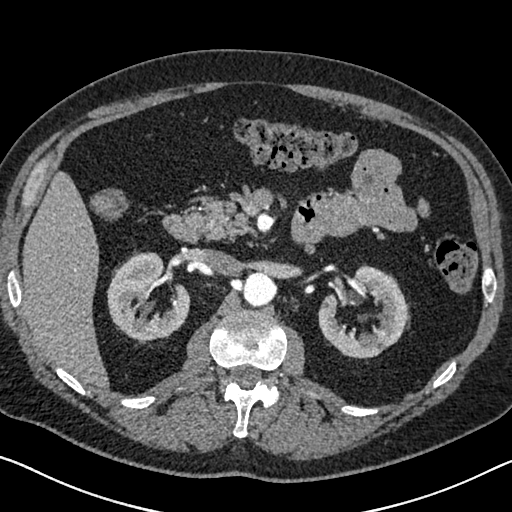
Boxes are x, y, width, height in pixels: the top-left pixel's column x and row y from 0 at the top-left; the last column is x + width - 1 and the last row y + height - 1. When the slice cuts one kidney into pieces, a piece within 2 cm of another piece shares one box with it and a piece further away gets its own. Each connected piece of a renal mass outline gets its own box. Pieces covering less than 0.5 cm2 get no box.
Slice 426/626 of a contrast-enhanced abdominal CT in the arterial phase, counting up from the lowest; pixel size 0.703 mm, slice thickness 1.00 mm. Two boxes on this slice (two kidney boxes), listed by box centre from the image's left to its right. (1) Box x 107, y 251, width 84, height 91: right kidney (outlined area 5,042 px, about 24.9 cm2). (2) Box x 318, y 265, width 90, height 94: left kidney (outlined area 5,214 px, about 25.8 cm2). This slice carries no renal mass outline.
Tube voltage 120 kVp; convolution kernel I30f.